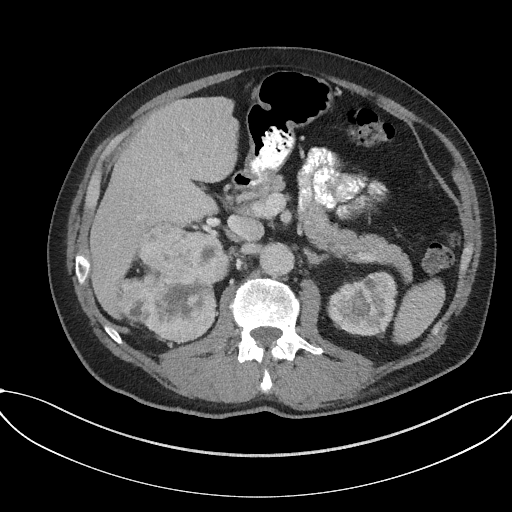
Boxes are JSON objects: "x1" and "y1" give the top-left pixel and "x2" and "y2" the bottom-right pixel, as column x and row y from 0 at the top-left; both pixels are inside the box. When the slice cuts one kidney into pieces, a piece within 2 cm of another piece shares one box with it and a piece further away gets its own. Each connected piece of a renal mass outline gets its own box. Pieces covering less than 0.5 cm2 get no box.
Arterial-phase contrast-enhanced abdominal CT, axial slice 103 of 227 (counted from the lowest slice); 3.00 mm thick, 0.816 mm per pixel. Boxed on this slice (one kidney box and one renal mass box), listed by box centre from the image's left to its right: (1) Box {"x1": 121, "y1": 226, "x2": 229, "y2": 341}: right renal mass (outlined area 9,030 px, about 60.2 cm2); on this slice it lies more than 1 cm from any kidney outline, but the same outlined renal mass comes within 1 cm of the kidney on another slice. (2) Box {"x1": 326, "y1": 271, "x2": 396, "y2": 335}: left kidney (outlined area 3,385 px, about 22.6 cm2).
Scan settings: 120 kVp, I31f reconstruction kernel.